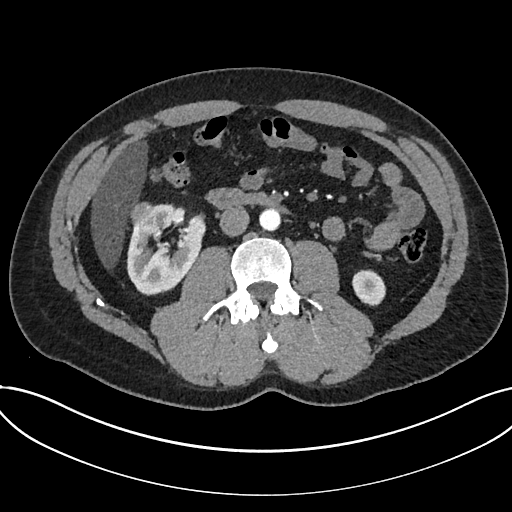
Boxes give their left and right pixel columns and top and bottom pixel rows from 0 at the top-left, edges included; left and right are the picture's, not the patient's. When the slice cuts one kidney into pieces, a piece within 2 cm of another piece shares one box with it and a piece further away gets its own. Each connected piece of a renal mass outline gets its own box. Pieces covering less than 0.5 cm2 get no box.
This is axial slice 365 of 735 (slice 1 is the lowest) of an arterial-phase abdominal CT with contrast; each pixel is 0.789 mm and the slice is 1.00 mm thick. Two kidney boxes and one renal mass box on this slice; by box centre, from the image's left to its right: (1) Box with left 130, top 202, right 157, bottom 227: renal mass (outlined area 557 px, about 3.5 cm2). (2) Box with left 126, top 203, right 205, bottom 295: kidney (outlined area 4,773 px, about 29.7 cm2). (3) Kidney in the box with left 352, top 269, right 385, bottom 305 (outlined area 953 px, about 5.9 cm2).
Acquired at 120 kVp and reconstructed with the I30f kernel.